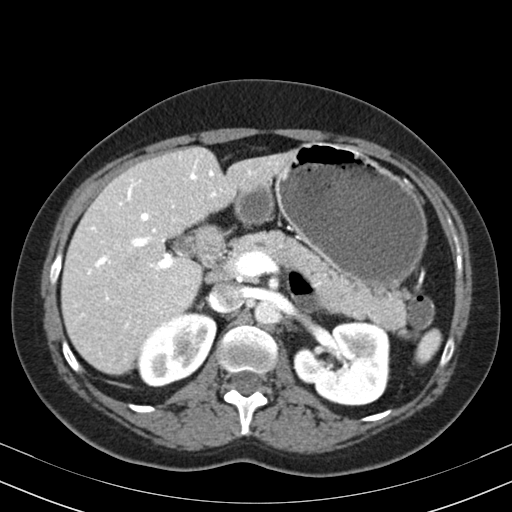
Arterial-phase contrast-enhanced abdominal CT, axial slice 123 of 164 (counted from the lowest slice); tube voltage 130 kVp, convolution kernel B30s; slices 3.00 mm thick, 0.664 mm per pixel.
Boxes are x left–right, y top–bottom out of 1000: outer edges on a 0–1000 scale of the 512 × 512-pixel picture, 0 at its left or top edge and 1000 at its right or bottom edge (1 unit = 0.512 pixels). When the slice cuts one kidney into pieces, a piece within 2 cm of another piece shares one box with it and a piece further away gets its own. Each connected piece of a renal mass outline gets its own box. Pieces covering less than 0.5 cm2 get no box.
Two kidney boxes on this slice; by box centre, from the image's left to its right: (1) Box x 266–424, y 609–756 out of 1000: right kidney (outlined area 4,213 px, about 18.6 cm2). (2) Box x 572–764, y 625–795 out of 1000: left kidney (outlined area 6,293 px, about 27.8 cm2). This slice carries no renal mass outline.